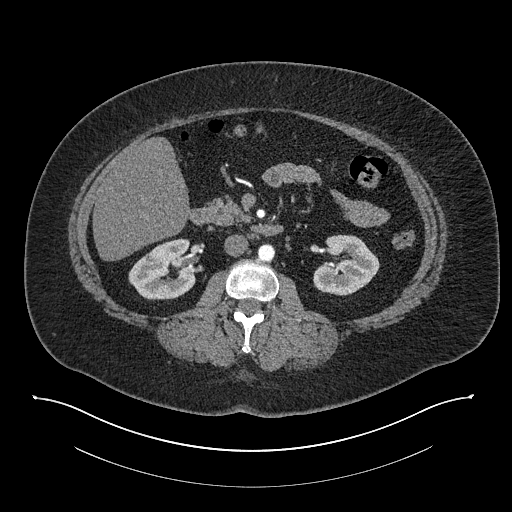
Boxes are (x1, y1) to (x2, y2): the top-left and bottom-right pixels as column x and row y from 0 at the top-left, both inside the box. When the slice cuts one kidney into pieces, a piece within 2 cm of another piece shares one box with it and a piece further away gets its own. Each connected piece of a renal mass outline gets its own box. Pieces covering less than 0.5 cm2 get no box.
This is axial slice 441 of 673 (slice 1 is the lowest) of an arterial-phase abdominal CT with contrast; each pixel is 0.957 mm and the slice is 1.00 mm thick. Boxed on this slice (two kidney boxes), listed by box centre from the image's left to its right: (1) Right kidney from (128, 238) to (195, 299) (outlined area 3,070 px, about 28.1 cm2). (2) Left kidney from (313, 234) to (379, 295) (outlined area 2,933 px, about 26.9 cm2). No renal mass is outlined on this slice.
Acquired at 140 kVp and reconstructed with the I30f kernel.